Arterial-phase contrast-enhanced abdominal CT, axial slice 73 of 140 (counted from the lowest slice); tube voltage 120 kVp, convolution kernel B31f; slices 5.00 mm thick, 0.754 mm per pixel.
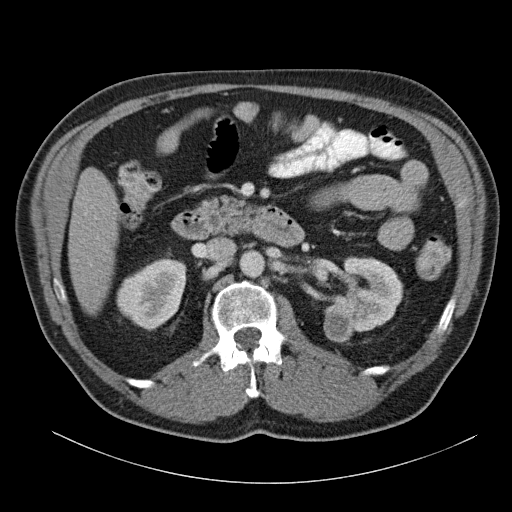
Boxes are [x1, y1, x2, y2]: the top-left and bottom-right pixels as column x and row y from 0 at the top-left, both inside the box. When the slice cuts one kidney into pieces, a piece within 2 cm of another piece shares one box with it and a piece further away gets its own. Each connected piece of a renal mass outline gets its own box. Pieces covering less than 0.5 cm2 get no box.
Boxed on this slice (two kidney boxes and one renal mass box), listed by box centre from the image's left to its right: (1) Right kidney at [116, 258, 186, 331] (outlined area 3,665 px, about 20.8 cm2). (2) Box [323, 309, 353, 342]: left renal mass (outlined area 829 px, about 4.7 cm2). (3) Box [323, 256, 403, 332]: left kidney (outlined area 3,841 px, about 21.8 cm2).